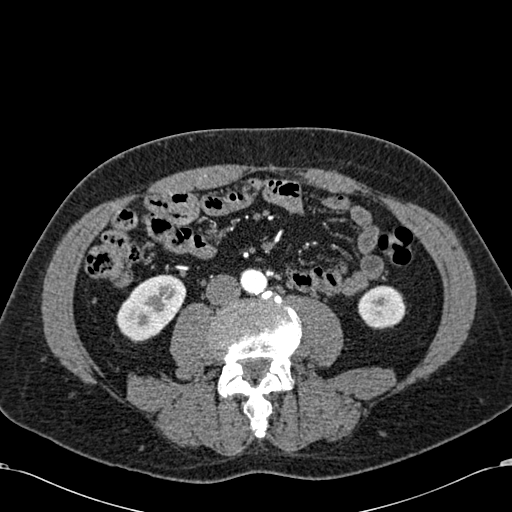
Abdominal CT with intravenous contrast, arterial phase, axial plane, 120 kVp, kernel B30f. Slice 227/581 from the bottom of the scan; thickness 1.00 mm; pixel size 0.713 mm.
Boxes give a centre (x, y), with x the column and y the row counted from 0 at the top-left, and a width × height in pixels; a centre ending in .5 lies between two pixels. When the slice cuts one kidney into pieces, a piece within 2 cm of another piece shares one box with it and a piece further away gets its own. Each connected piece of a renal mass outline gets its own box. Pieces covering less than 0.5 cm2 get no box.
Two boxes on this slice (two kidney boxes), listed by box centre from the image's left to its right. (1) Right kidney, box centre (151, 308), 71 × 69 pixels (outlined area 3,227 px, about 16.4 cm2). (2) Box centre (381.5, 307), 48 × 45 pixels: left kidney (outlined area 1,669 px, about 8.5 cm2). No renal mass is outlined on this slice.